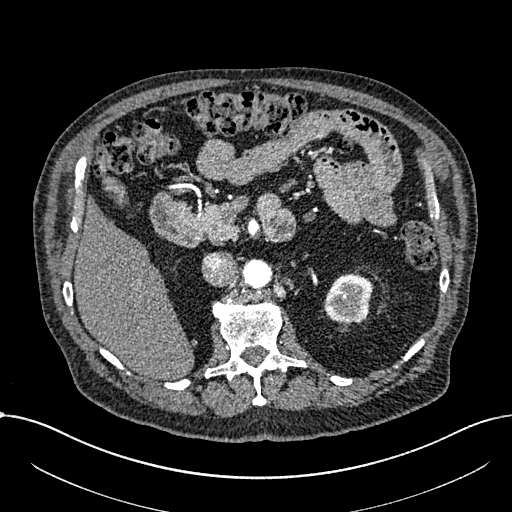
Abdominal CT with intravenous contrast, arterial phase, axial plane, 100 kVp, kernel I30f. Slice 443/1059 from the bottom of the scan; thickness 1.00 mm; pixel size 0.811 mm.
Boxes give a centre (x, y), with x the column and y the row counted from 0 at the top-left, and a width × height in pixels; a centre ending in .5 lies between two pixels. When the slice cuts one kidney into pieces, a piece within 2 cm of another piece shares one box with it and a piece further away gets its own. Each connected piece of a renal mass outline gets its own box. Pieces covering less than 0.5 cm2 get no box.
Left part of the midline-crossing kidney in a box with centre (348, 298.5), 51 × 52 pixels (outlined area 1,988 px, about 13.1 cm2). No renal mass is outlined on this slice.